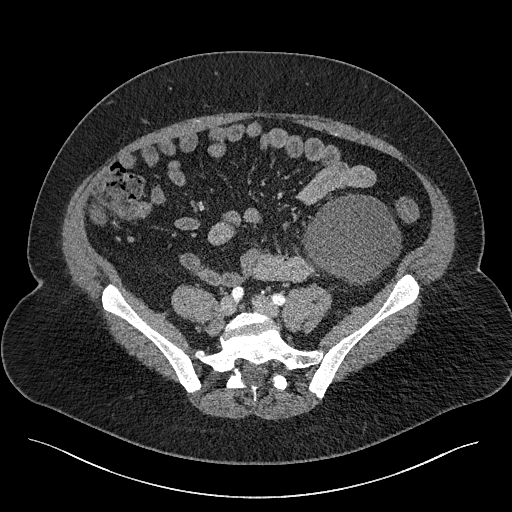
Axial slice 36 of 301 of a contrast-enhanced abdominal CT (slice 1 is the lowest), 120 kVp, kernel I40f; 2.00 mm slice thickness and 0.859 mm pixels.
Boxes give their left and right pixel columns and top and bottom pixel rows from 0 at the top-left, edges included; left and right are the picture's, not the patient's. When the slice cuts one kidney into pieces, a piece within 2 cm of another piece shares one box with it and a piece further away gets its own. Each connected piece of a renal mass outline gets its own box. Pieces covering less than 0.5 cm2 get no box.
Box with left 301, top 193, right 401, bottom 285: left renal mass (outlined area 6,587 px, about 48.6 cm2); this slice has no kidney outline, though on another slice the same outlined renal mass lies within 1 cm of the kidney.